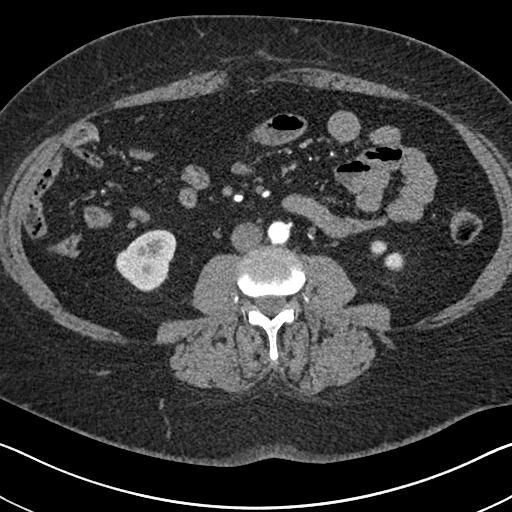
Abdominal CT with intravenous contrast, arterial phase, axial plane, 140 kVp, kernel I30f. Slice 293/591 from the bottom of the scan; thickness 1.00 mm; pixel size 0.703 mm.
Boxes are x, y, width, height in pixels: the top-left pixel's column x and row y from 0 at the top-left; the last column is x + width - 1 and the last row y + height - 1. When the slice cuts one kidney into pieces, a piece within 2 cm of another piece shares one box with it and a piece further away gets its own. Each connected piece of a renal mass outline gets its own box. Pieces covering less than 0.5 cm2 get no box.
Two boxes on this slice (two kidney boxes), listed by box centre from the image's left to its right. (1) Right kidney at x 115, y 229, width 62, height 64 (outlined area 2,690 px, about 13.3 cm2). (2) Box x 370, y 240, width 36, height 32: left kidney (outlined area 553 px, about 2.7 cm2). No renal mass outline on this slice.